Arterial-phase contrast-enhanced abdominal CT, axial slice 232 of 389 (counted from the lowest slice); tube voltage 120 kVp, convolution kernel STANDARD; slices 1.25 mm thick, 0.869 mm per pixel.
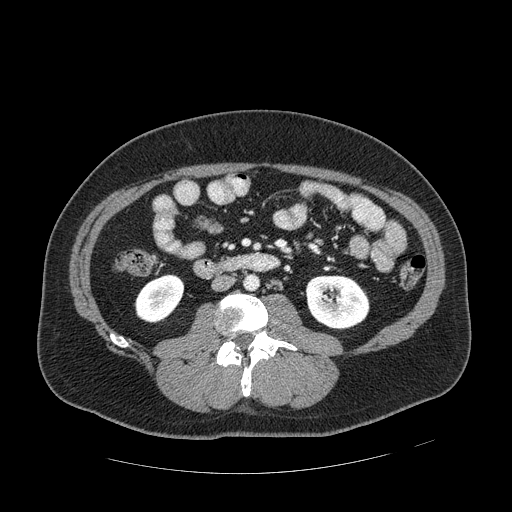
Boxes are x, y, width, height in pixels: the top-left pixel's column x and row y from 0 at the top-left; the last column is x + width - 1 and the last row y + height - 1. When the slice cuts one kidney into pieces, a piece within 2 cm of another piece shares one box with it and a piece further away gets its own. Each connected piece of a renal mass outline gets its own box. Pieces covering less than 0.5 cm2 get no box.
Two boxes on this slice (two kidney boxes), listed by box centre from the image's left to its right. (1) Right kidney, box x 134, y 274, width 51, height 50 (outlined area 1,790 px, about 13.5 cm2). (2) Left kidney, box x 305, y 275, width 65, height 56 (outlined area 2,847 px, about 21.5 cm2). This slice carries no renal mass outline.